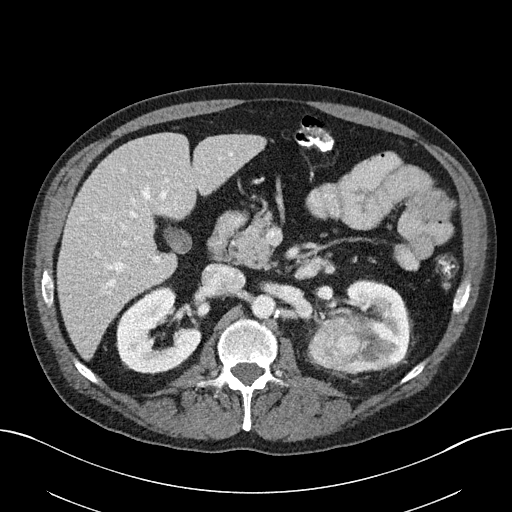
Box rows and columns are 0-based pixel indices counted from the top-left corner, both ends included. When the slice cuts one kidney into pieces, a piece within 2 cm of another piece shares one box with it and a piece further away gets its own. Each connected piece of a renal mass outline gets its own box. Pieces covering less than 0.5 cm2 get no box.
Contrast-enhanced abdominal CT, axial slice 116 of 163 (counted from the lowest slice); 3.00 mm thick, 0.799 mm per pixel. Boxed on this slice (two kidney boxes and one renal mass box), listed by box centre from the image's left to its right: (1) Box rows 286–373, columns 116–201: right kidney (outlined area 4,740 px, about 30.2 cm2). (2) Box rows 320–361, columns 313–356: left renal mass (outlined area 1,460 px, about 9.3 cm2). (3) Left kidney at rows 280–374, columns 308–410 (outlined area 5,733 px, about 36.6 cm2).
Acquired at 100 kVp and reconstructed with the I40f kernel.